Axial slice 647 of 834 of a contrast-enhanced abdominal CT (slice 1 is the lowest), 140 kVp, kernel I30f; 1.00 mm slice thickness and 0.977 mm pixels.
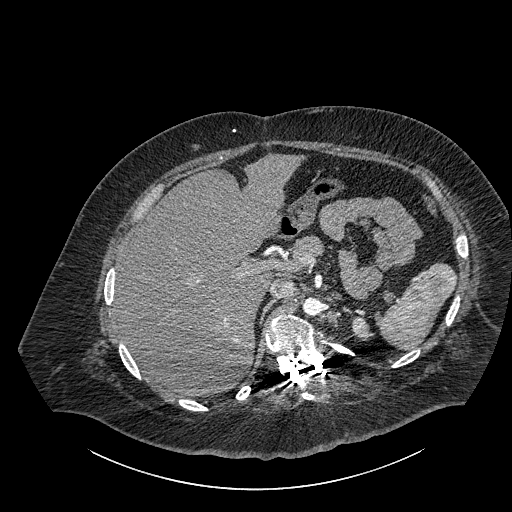
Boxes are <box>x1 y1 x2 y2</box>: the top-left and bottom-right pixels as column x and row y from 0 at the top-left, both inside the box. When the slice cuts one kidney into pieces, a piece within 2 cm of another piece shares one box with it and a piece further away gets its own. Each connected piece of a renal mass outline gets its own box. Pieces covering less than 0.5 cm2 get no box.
Left part of the midline-crossing kidney at <box>351 315 374 340</box> (outlined area 384 px, about 3.7 cm2). This slice carries no renal mass outline.